Axial slice 157 of 326 of a contrast-enhanced abdominal CT in the arterial phase (slice 1 is the lowest), 120 kVp, kernel B31f; 2.00 mm slice thickness and 0.963 mm pixels.
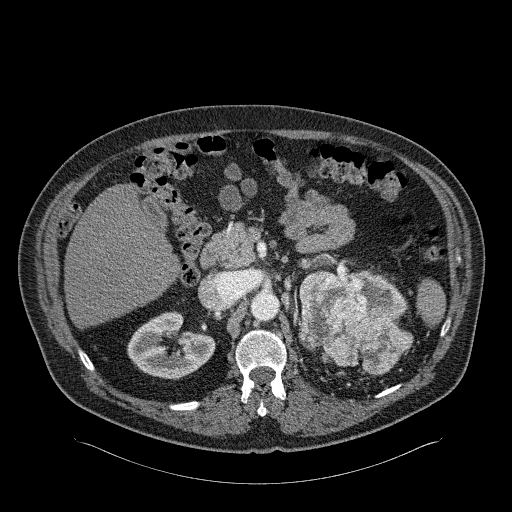
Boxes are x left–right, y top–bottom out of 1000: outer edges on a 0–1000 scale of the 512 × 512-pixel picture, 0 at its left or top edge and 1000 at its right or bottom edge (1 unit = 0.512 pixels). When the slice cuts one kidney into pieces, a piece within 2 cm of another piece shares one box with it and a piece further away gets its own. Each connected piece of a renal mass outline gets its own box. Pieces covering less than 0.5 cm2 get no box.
Three boxes on this slice (two kidney boxes and one renal mass box), listed by box centre from the image's left to its right. (1) Box x 248–422, y 607–742 out of 1000: right kidney (outlined area 3,984 px, about 36.9 cm2). (2) Box x 582–809, y 529–732 out of 1000: left renal mass (outlined area 7,648 px, about 70.9 cm2). (3) Box x 691–795, y 527–627 out of 1000: left kidney (outlined area 1,373 px, about 12.7 cm2).